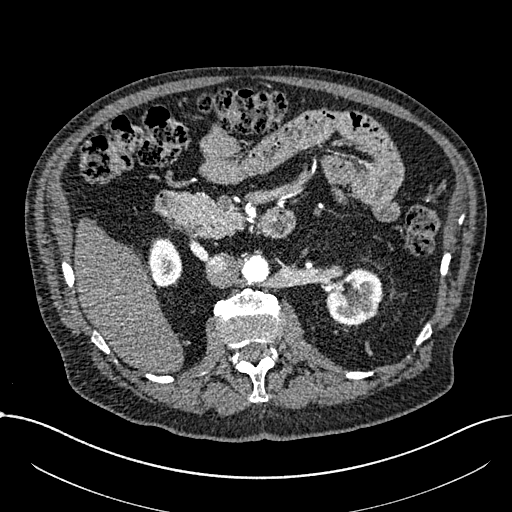
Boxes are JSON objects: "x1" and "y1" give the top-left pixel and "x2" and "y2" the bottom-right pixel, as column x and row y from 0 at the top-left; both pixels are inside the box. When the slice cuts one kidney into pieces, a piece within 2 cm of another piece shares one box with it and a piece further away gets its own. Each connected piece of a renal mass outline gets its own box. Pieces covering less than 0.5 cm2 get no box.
This is axial slice 419 of 1059 (slice 1 is the lowest) of an arterial-phase abdominal CT with contrast; each pixel is 0.811 mm and the slice is 1.00 mm thick. Two boxes on this slice (two kidney boxes), listed by box centre from the image's left to its right. (1) Right part of the midline-crossing kidney, box {"x1": 148, "y1": 237, "x2": 182, "y2": 288} (outlined area 1,355 px, about 8.9 cm2). (2) Left part of the midline-crossing kidney at {"x1": 325, "y1": 268, "x2": 382, "y2": 324} (outlined area 2,386 px, about 15.7 cm2). This slice carries no renal mass outline.
Tube voltage 100 kVp; convolution kernel I30f.